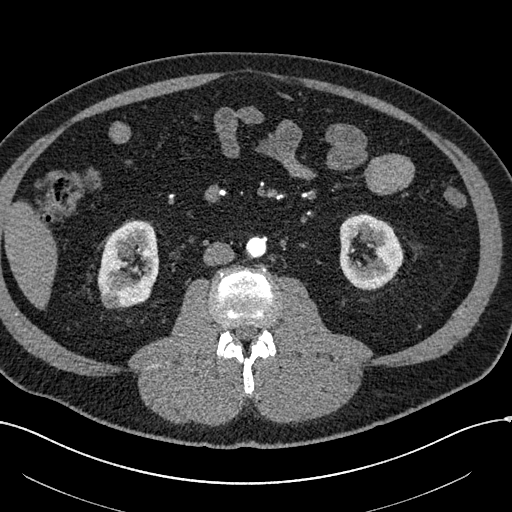
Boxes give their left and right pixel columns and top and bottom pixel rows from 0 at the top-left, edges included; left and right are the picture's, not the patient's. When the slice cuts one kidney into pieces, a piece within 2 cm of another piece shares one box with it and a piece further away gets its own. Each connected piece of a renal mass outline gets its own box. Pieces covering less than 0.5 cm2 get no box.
Arterial-phase contrast-enhanced abdominal CT, axial slice 261 of 602 (counted from the lowest slice); 1.00 mm thick, 0.799 mm per pixel. Boxed on this slice (two kidney boxes and one renal mass box), listed by box centre from the image's left to its right: (1) Right renal mass in the box with left 100, top 292, right 119, bottom 308 (outlined area 267 px, about 1.7 cm2). (2) Right kidney, the box with left 97, top 220, right 158, bottom 307 (outlined area 3,980 px, about 25.4 cm2). (3) Left kidney in the box with left 339, top 214, right 403, bottom 290 (outlined area 3,582 px, about 22.9 cm2).
Acquired at 120 kVp and reconstructed with the I30f kernel.